Axial slice 283 of 527 of a contrast-enhanced abdominal CT in the arterial phase (slice 1 is the lowest), 120 kVp, kernel I30f; 1.00 mm slice thickness and 0.859 mm pixels.
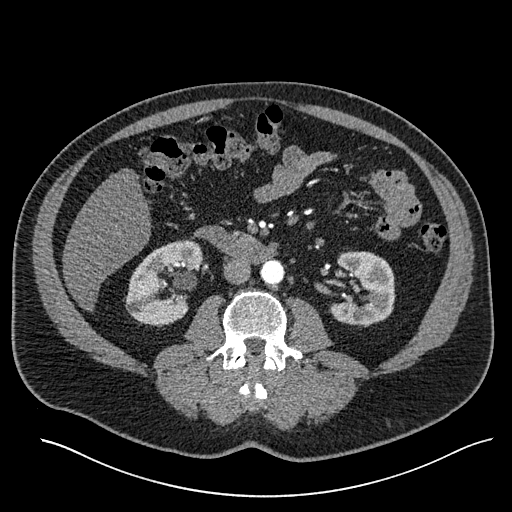
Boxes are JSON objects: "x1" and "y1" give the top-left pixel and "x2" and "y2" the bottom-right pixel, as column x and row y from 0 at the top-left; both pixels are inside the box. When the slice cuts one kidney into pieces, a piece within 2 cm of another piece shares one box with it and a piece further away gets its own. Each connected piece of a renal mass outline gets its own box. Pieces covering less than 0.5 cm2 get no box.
Boxed on this slice (two kidney boxes), listed by box centre from the image's left to its right: (1) Box {"x1": 125, "y1": 240, "x2": 202, "y2": 323}: right kidney (outlined area 4,499 px, about 33.2 cm2). (2) Box {"x1": 329, "y1": 251, "x2": 395, "y2": 327}: left kidney (outlined area 3,738 px, about 27.6 cm2). This slice carries no renal mass outline.